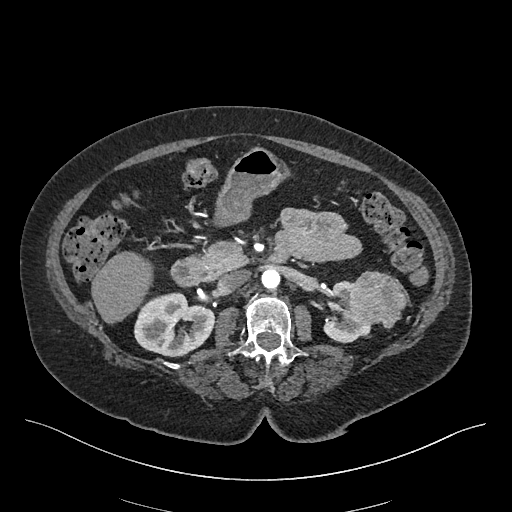
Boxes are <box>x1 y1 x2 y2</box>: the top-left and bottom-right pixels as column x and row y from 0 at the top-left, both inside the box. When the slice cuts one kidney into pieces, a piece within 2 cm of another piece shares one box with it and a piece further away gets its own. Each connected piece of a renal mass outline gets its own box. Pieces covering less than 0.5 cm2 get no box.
Slice 259/548 of a contrast-enhanced abdominal CT in the arterial phase, counting up from the lowest; pixel size 0.852 mm, slice thickness 1.00 mm. Three boxes on this slice (two kidney boxes and one renal mass box), listed by box centre from the image's left to its right. (1) Right kidney: <box>134 292 214 357</box> (outlined area 3,812 px, about 27.6 cm2). (2) Left kidney: <box>323 280 371 343</box> (outlined area 1,562 px, about 11.3 cm2). (3) At <box>344 271 406 328</box>: left renal mass (outlined area 2,658 px, about 19.3 cm2).
Tube voltage 120 kVp; convolution kernel I26f.